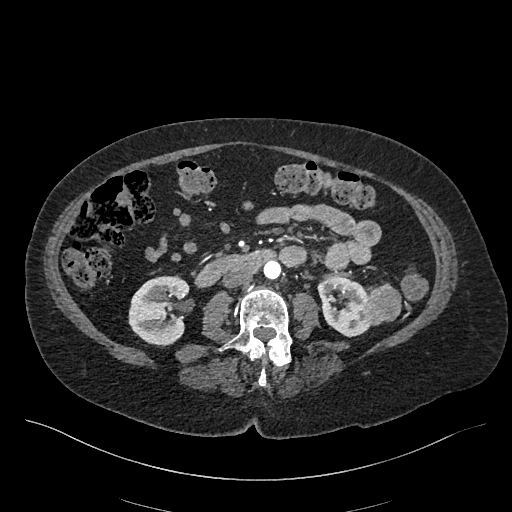
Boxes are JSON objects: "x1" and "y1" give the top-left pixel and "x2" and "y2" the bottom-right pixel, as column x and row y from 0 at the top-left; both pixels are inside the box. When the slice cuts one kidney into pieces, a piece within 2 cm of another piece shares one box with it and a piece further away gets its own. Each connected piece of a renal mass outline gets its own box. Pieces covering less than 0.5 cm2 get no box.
This is axial slice 208 of 548 (slice 1 is the lowest) of an arterial-phase abdominal CT with contrast; each pixel is 0.852 mm and the slice is 1.00 mm thick. Three boxes on this slice (two kidney boxes and one renal mass box), listed by box centre from the image's left to its right. (1) Right kidney, box {"x1": 128, "y1": 275, "x2": 189, "y2": 346} (outlined area 3,415 px, about 24.8 cm2). (2) Box {"x1": 317, "y1": 276, "x2": 369, "y2": 337}: left kidney (outlined area 2,347 px, about 17.0 cm2). (3) Left renal mass, box {"x1": 363, "y1": 282, "x2": 401, "y2": 326} (outlined area 1,254 px, about 9.1 cm2).
Scan settings: 120 kVp, I26f reconstruction kernel.